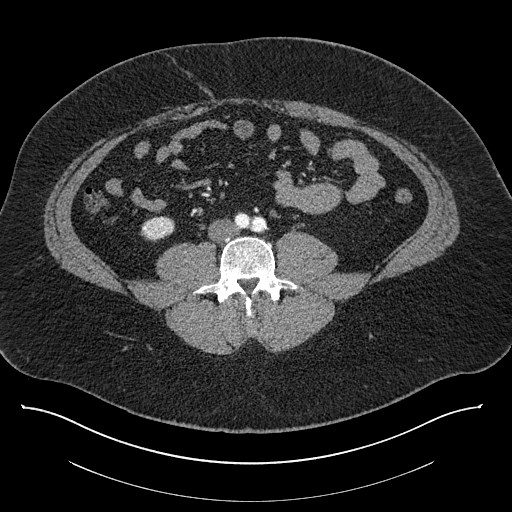
Contrast-enhanced abdominal CT, axial slice 324 of 787 (counted from the lowest slice); tube voltage 140 kVp, convolution kernel I30f; slices 1.00 mm thick, 0.910 mm per pixel.
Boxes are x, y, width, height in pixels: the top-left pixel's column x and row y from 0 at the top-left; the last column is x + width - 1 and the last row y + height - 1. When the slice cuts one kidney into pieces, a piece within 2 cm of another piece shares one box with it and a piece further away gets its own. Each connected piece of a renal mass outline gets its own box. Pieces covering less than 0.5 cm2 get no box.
Box x 140, y 216, width 35, height 26: right kidney (outlined area 688 px, about 5.7 cm2). No renal mass is outlined on this slice.